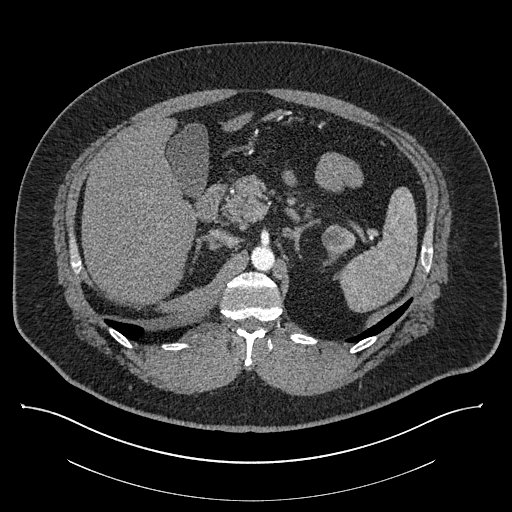
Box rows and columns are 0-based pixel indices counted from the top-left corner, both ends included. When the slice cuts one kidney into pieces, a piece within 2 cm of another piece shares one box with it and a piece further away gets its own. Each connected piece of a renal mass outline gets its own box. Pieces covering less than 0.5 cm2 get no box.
This is axial slice 570 of 787 (slice 1 is the lowest) of an abdominal CT with contrast; each pixel is 0.910 mm and the slice is 1.00 mm thick. Two boxes on this slice (one kidney box and one renal mass box), listed by box centre from the image's left to its right. (1) Left kidney at rows 250–264, columns 327–344 (outlined area 133 px, about 1.1 cm2). (2) Left renal mass, box rows 224–252, columns 322–356 (outlined area 725 px, about 6.0 cm2).
Tube voltage 140 kVp; convolution kernel I30f.